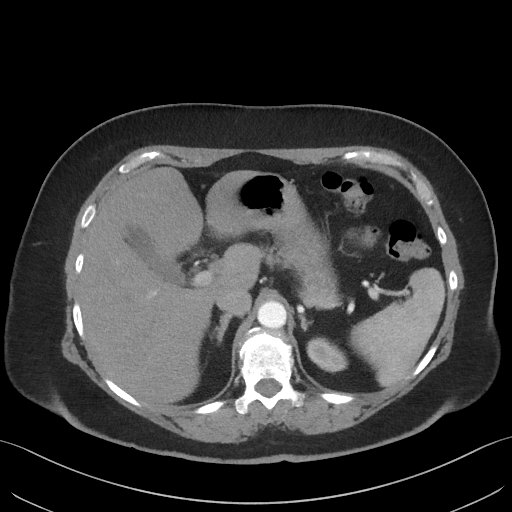
Axial slice 47 of 69 of a contrast-enhanced abdominal CT (slice 1 is the lowest), 140 kVp, kernel I41f; 3.00 mm slice thickness and 0.736 mm pixels.
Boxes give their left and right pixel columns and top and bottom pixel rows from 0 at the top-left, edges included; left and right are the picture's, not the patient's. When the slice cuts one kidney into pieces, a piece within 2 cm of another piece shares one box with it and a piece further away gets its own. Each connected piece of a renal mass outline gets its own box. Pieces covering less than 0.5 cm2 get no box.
Left kidney in the box with left 306, top 337, right 348, bottom 372 (outlined area 1,065 px, about 5.8 cm2). No renal mass outline on this slice.